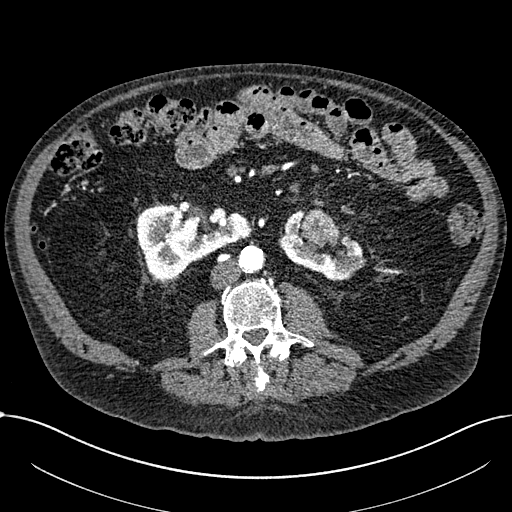
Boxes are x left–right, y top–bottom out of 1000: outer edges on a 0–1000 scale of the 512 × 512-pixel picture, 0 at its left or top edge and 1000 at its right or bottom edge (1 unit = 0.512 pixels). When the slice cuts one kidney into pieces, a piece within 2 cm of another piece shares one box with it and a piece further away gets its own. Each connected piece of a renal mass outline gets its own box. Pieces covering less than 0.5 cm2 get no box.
Slice 330/1059 of a contrast-enhanced abdominal CT in the arterial phase, counting up from the lowest; pixel size 0.811 mm, slice thickness 1.00 mm. Two kidney boxes and one renal mass box on this slice; by box centre, from the image's left to its right: (1) Box x 266–492, y 398–549 out of 1000: right part of the midline-crossing kidney (outlined area 5,784 px, about 38.0 cm2). (2) Renal mass, box x 586–664, y 408–486 out of 1000 (outlined area 1,154 px, about 7.6 cm2). (3) Left part of the midline-crossing kidney, box x 547–717, y 408–551 out of 1000 (outlined area 2,783 px, about 18.3 cm2).
Tube voltage 100 kVp; convolution kernel I30f.